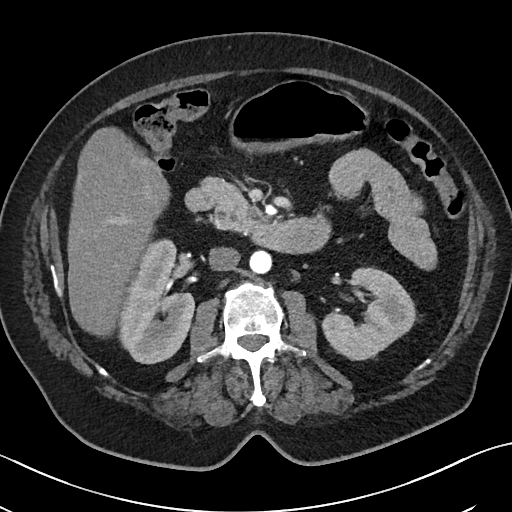
Contrast-enhanced abdominal CT, axial slice 21 of 50 (counted from the lowest slice); tube voltage 100 kVp, convolution kernel I40f; slices 5.00 mm thick, 0.723 mm per pixel.
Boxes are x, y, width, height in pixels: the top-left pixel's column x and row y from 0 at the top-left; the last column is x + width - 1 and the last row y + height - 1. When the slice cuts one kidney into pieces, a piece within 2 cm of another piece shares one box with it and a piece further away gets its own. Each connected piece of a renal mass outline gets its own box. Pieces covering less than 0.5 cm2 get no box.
Two kidney boxes on this slice; by box centre, from the image's left to its right: (1) Right kidney, box x 118, y 238, width 77, height 127 (outlined area 6,619 px, about 34.6 cm2). (2) Left kidney at x 321, y 267, width 95, height 94 (outlined area 5,351 px, about 27.9 cm2). No renal mass outline on this slice.